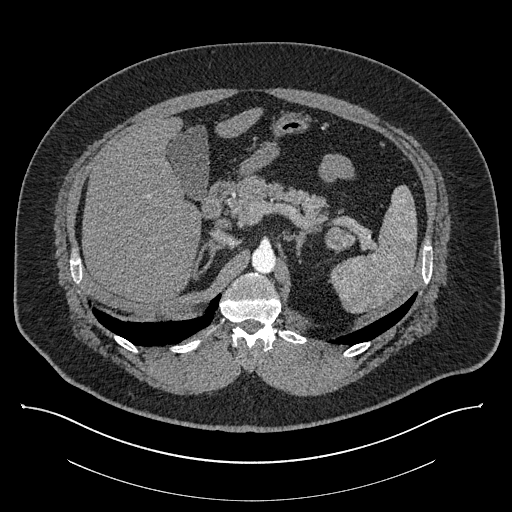
One axial slice (579 of 787, counting up from the lowest) of a contrast-enhanced abdominal CT acquired with 140 kVp, kernel I30f; each pixel is 0.910 mm and the slice is 1.00 mm thick.
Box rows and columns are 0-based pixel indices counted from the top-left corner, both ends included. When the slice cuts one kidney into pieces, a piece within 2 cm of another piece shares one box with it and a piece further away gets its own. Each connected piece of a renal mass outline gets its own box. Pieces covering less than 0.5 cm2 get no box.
Box rows 226–250, columns 325–355: left renal mass (outlined area 565 px, about 4.7 cm2); no kidney outline appears on this slice, but the same outlined renal mass comes within 1 cm of the kidney on another slice.